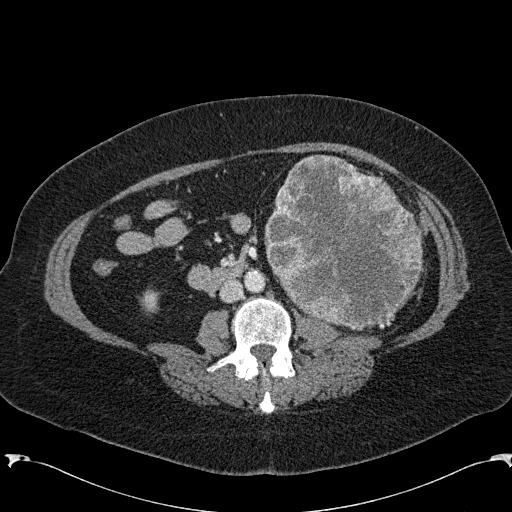
Arterial-phase contrast-enhanced abdominal CT, axial slice 90 of 285 (counted from the lowest slice); tube voltage 120 kVp, convolution kernel B31f; slices 2.00 mm thick, 0.762 mm per pixel.
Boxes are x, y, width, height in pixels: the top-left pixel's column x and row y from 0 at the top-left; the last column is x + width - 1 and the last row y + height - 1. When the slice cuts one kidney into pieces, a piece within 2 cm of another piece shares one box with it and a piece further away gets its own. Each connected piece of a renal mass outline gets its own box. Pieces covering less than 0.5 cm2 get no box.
Boxed on this slice (one kidney box and one renal mass box), listed by box centre from the image's left to its right: (1) Right kidney, box x 139, y 289, width 21, height 26 (outlined area 378 px, about 2.2 cm2). (2) Left renal mass, box x 264, y 154, width 160, height 177 (outlined area 20,906 px, about 121.3 cm2); it sits over 1 cm from every kidney outline on this slice, but the same outlined renal mass comes within 1 cm of the kidney on another slice.